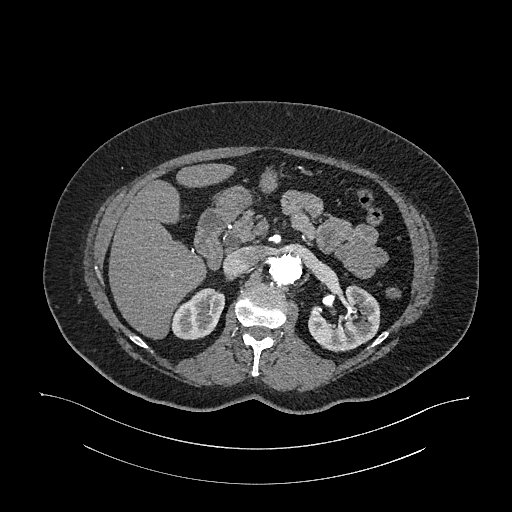
Arterial-phase contrast-enhanced abdominal CT, axial slice 703 of 987 (counted from the lowest slice); tube voltage 120 kVp, convolution kernel I26f; slices 1.00 mm thick, 0.977 mm per pixel.
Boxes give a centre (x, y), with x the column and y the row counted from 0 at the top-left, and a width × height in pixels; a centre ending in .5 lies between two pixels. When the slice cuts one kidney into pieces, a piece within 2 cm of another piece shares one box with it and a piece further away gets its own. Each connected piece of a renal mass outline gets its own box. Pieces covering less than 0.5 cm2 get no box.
Boxed on this slice (two kidney boxes), listed by box centre from the image's left to its right: (1) Box centre (197, 313.5), 55 × 52 pixels: right kidney (outlined area 2,014 px, about 19.2 cm2). (2) Left kidney, box centre (344, 318.5), 73 × 68 pixels (outlined area 3,311 px, about 31.6 cm2). No renal mass outline on this slice.